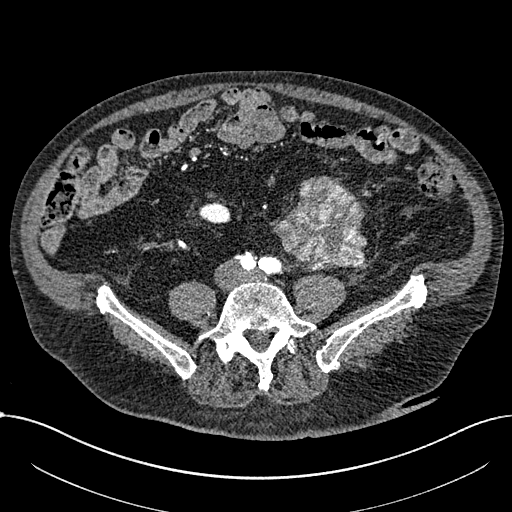
Arterial-phase contrast-enhanced abdominal CT, axial slice 200 of 1059 (counted from the lowest slice); tube voltage 100 kVp, convolution kernel I30f; slices 1.00 mm thick, 0.811 mm per pixel.
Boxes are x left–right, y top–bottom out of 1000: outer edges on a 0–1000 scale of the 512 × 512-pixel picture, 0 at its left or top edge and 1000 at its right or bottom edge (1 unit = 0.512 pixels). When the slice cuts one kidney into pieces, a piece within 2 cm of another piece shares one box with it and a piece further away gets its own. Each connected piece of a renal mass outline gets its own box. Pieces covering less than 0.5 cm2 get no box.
Boxed on this slice (one kidney box and one renal mass box), listed by box centre from the image's left to its right: (1) Right part of the midline-crossing kidney at x 387–451, y 396–438 out of 1000 (outlined area 537 px, about 3.5 cm2). (2) Box x 533–719, y 344–533 out of 1000: renal mass (outlined area 6,296 px, about 41.4 cm2); on this slice it lies more than 1 cm from any kidney outline, but the same outlined renal mass comes within 1 cm of the kidney on another slice.